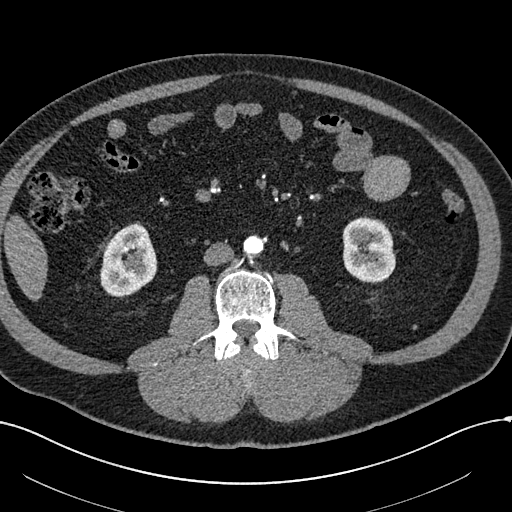
Arterial-phase contrast-enhanced abdominal CT, axial slice 243 of 602 (counted from the lowest slice); tube voltage 120 kVp, convolution kernel I30f; slices 1.00 mm thick, 0.799 mm per pixel.
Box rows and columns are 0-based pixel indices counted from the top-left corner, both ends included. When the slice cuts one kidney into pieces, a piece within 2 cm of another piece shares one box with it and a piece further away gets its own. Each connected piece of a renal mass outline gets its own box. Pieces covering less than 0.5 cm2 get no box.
Two kidney boxes and one renal mass box on this slice; by box centre, from the image's left to its right: (1) Right renal mass at rows 260–272, columns 106–118 (outlined area 122 px, about 0.8 cm2). (2) Right kidney, box rows 222–298, columns 100–157 (outlined area 3,089 px, about 19.7 cm2). (3) Left kidney at rows 216–283, columns 342–395 (outlined area 2,945 px, about 18.8 cm2).